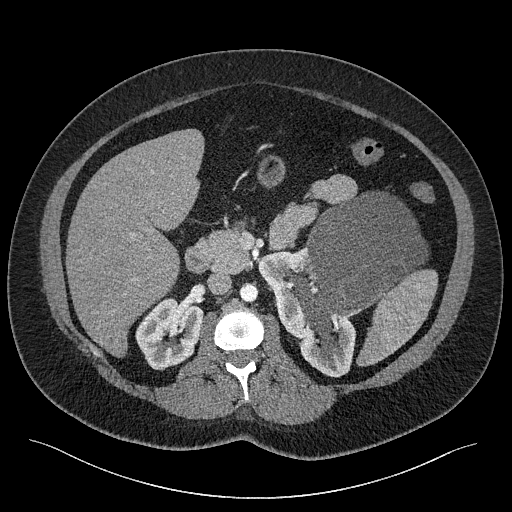
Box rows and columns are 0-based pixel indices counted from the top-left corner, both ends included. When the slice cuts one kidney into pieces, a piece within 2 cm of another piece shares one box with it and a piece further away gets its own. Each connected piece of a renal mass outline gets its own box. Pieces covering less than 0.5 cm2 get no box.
This is axial slice 144 of 301 (slice 1 is the lowest) of an abdominal CT with contrast; each pixel is 0.859 mm and the slice is 2.00 mm thick. Boxed on this slice (two kidney boxes and one renal mass box), listed by box centre from the image's left to its right: (1) Box rows 297–370, columns 135–203: right kidney (outlined area 3,529 px, about 26.1 cm2). (2) Box rows 246–377, columns 258–355: left kidney (outlined area 4,689 px, about 34.6 cm2). (3) Left renal mass at rows 191–338, columns 286–427 (outlined area 12,299 px, about 90.8 cm2).
Scan settings: 120 kVp, I40f reconstruction kernel.